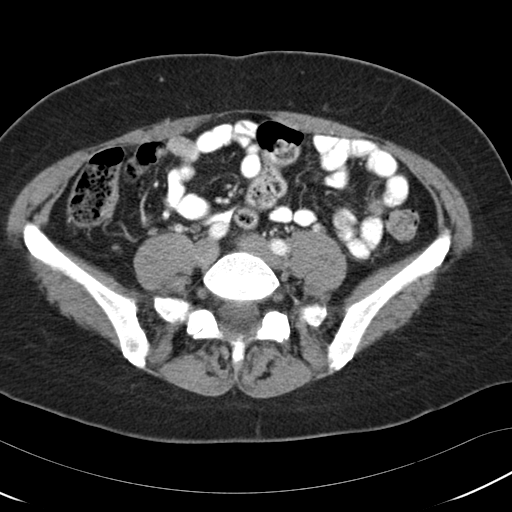
Axial slice 43 of 97 of a contrast-enhanced abdominal CT (slice 1 is the lowest), 120 kVp, kernel B30f; 5.00 mm slice thickness and 0.664 mm pixels.
This slice carries no outline: it lies beyond the outlined kidneys and beyond every outlined renal mass. Other organs are not outlined in this scan.